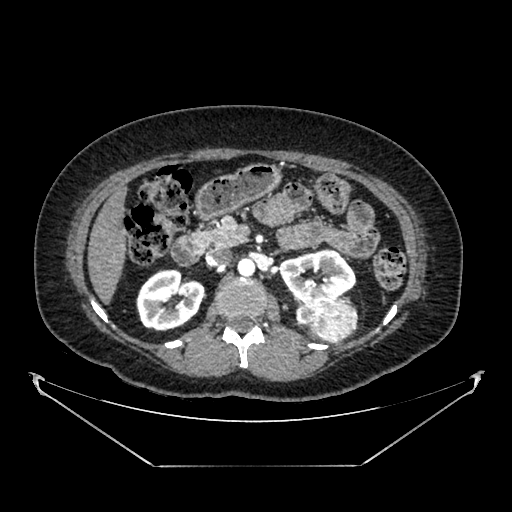
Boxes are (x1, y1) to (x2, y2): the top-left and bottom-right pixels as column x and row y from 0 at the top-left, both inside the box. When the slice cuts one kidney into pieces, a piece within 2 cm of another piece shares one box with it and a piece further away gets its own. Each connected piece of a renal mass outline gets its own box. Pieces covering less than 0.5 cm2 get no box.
Arterial-phase contrast-enhanced abdominal CT, axial slice 240 of 383 (counted from the lowest slice); 1.25 mm thick, 0.898 mm per pixel. Two kidney boxes and one renal mass box on this slice; by box centre, from the image's left to its right: (1) Right kidney, box (136, 268) to (204, 331) (outlined area 3,242 px, about 26.2 cm2). (2) Box (279, 249) to (355, 302): left kidney (outlined area 2,773 px, about 22.4 cm2). (3) Box (296, 291) to (357, 343): left renal mass (outlined area 2,394 px, about 19.3 cm2).
Scan settings: 100 kVp, SOFT reconstruction kernel.